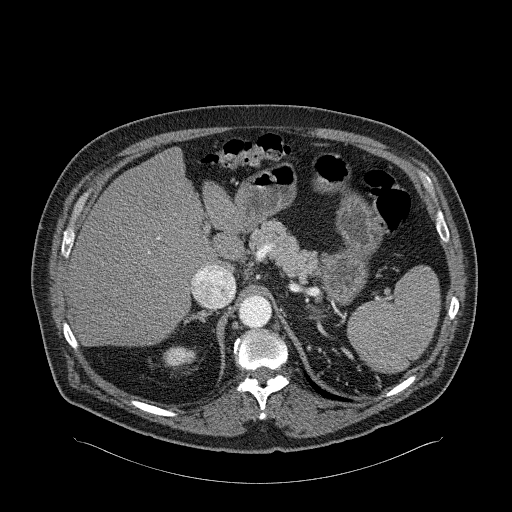
One axial slice (202 of 326, counting up from the lowest) of an arterial-phase abdominal CT acquired with 120 kVp, kernel B31f; each pixel is 0.963 mm and the slice is 2.00 mm thick.
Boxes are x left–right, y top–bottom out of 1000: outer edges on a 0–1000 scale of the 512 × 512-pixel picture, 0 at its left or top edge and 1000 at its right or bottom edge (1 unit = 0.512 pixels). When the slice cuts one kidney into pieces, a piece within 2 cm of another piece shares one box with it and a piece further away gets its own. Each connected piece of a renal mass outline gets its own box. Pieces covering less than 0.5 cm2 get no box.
Right kidney at x 318–383, y 676–723 out of 1000 (outlined area 550 px, about 5.1 cm2). This slice carries no renal mass outline.